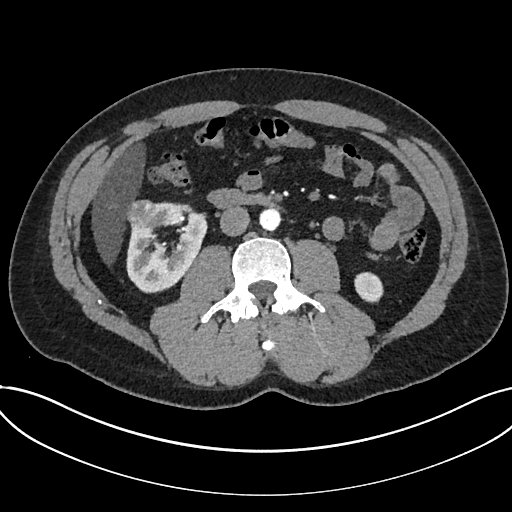
One axial slice (361 of 735, counting up from the lowest) of an arterial-phase abdominal CT acquired with 120 kVp, kernel I30f; each pixel is 0.789 mm and the slice is 1.00 mm thick.
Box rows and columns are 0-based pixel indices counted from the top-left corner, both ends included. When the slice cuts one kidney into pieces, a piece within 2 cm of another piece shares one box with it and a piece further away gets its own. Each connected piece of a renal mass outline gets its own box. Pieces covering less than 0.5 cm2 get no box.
Three boxes on this slice (two kidney boxes and one renal mass box), listed by box centre from the image's left to its right. (1) Renal mass, box rows 200–229, columns 125–160 (outlined area 854 px, about 5.3 cm2). (2) Kidney, box rows 201–293, columns 126–207 (outlined area 4,728 px, about 29.4 cm2). (3) Kidney, box rows 272–303, columns 354–383 (outlined area 730 px, about 4.5 cm2).